Abdominal CT with intravenous contrast, arterial phase, axial plane, 100 kVp, kernel I41f. Slice 38/94 from the bottom of the scan; thickness 5.00 mm; pixel size 0.551 mm.
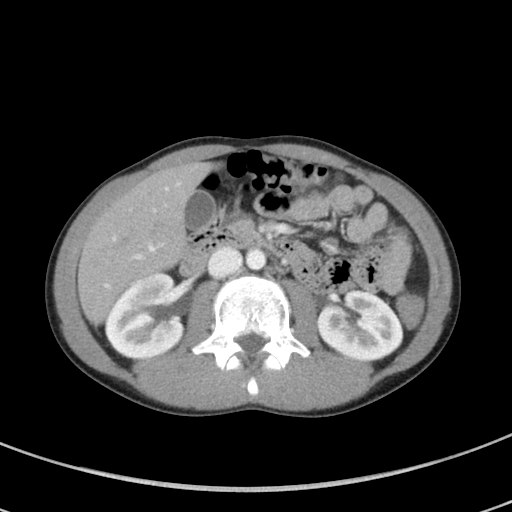
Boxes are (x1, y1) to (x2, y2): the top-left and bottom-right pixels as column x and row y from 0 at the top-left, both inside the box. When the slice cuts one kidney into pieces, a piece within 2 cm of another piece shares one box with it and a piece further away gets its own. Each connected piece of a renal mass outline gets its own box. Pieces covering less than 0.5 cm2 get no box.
Boxed on this slice (two kidney boxes), listed by box centre from the image's left to its right: (1) Right kidney, box (104, 273) to (185, 360) (outlined area 5,297 px, about 16.1 cm2). (2) Left kidney, box (317, 289) to (403, 360) (outlined area 4,693 px, about 14.2 cm2). No renal mass outline on this slice.